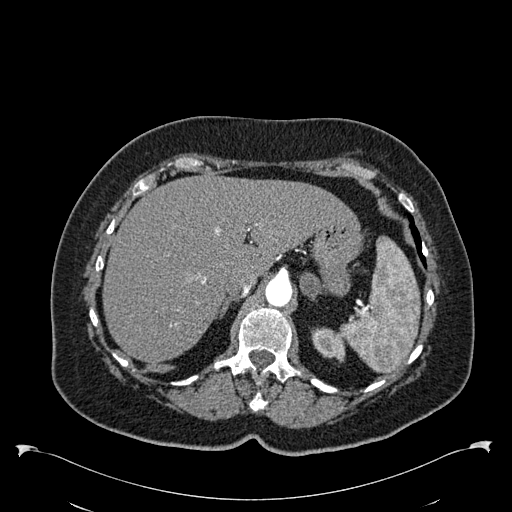
Abdominal CT with intravenous contrast, arterial phase, axial plane, 120 kVp, kernel B30f. Slice 442/538 from the bottom of the scan; thickness 1.00 mm; pixel size 0.811 mm.
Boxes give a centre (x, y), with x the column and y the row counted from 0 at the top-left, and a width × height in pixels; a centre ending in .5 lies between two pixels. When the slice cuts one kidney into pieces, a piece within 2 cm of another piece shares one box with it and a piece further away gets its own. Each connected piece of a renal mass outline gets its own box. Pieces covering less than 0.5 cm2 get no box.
Box centre (328, 344.5), 35 × 36 pixels: left kidney (outlined area 881 px, about 5.8 cm2). No renal mass outline on this slice.